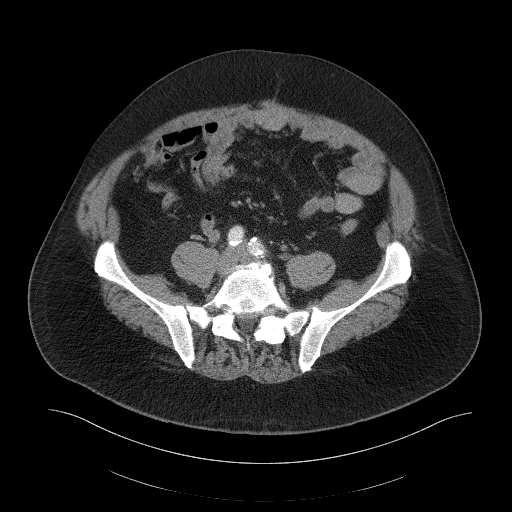
One axial slice (45 of 103, counting up from the lowest) of an arterial-phase abdominal CT acquired with 120 kVp, kernel B41f; each pixel is 0.951 mm and the slice is 5.00 mm thick.
This slice carries no outline: it lies beyond the outlined kidneys and beyond every outlined renal mass. Other organs are not outlined in this scan.